Abdominal CT with intravenous contrast, arterial phase, axial plane, 120 kVp, kernel I30f. Slice 415/683 from the bottom of the scan; thickness 1.00 mm; pixel size 0.738 mm.
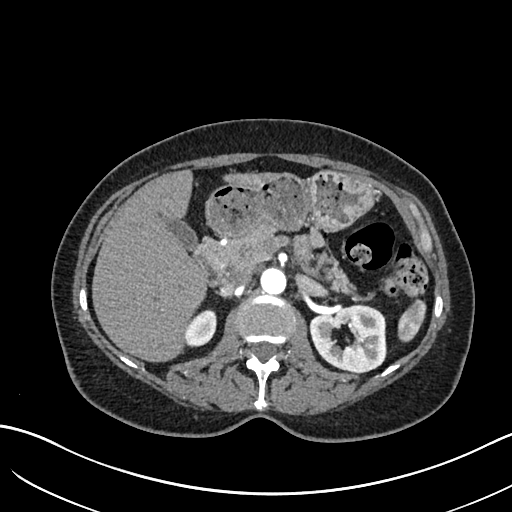
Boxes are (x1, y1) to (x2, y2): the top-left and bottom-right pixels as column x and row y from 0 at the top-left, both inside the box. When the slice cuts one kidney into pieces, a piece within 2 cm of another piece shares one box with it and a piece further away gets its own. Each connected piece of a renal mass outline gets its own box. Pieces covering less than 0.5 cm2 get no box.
Boxed on this slice (two kidney boxes), listed by box centre from the image's left to its right: (1) Box (187, 309) to (216, 347): right kidney (outlined area 871 px, about 4.7 cm2). (2) Left kidney from (309, 304) to (386, 374) (outlined area 3,986 px, about 21.7 cm2). No renal mass outline on this slice.